Axial slice 109 of 269 of a contrast-enhanced abdominal CT (slice 1 is the lowest), 100 kVp, kernel I30f; 5.00 mm slice thickness and 0.732 mm pixels.
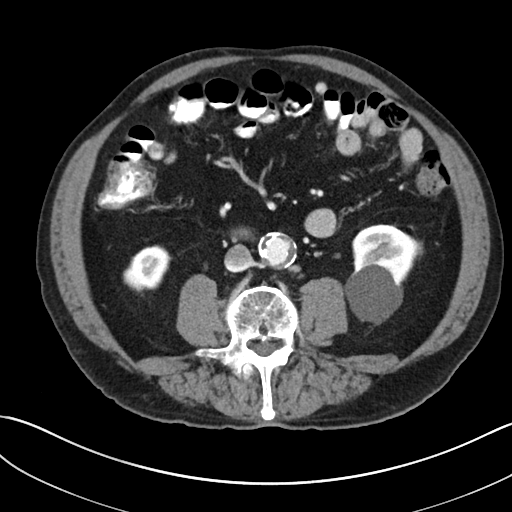
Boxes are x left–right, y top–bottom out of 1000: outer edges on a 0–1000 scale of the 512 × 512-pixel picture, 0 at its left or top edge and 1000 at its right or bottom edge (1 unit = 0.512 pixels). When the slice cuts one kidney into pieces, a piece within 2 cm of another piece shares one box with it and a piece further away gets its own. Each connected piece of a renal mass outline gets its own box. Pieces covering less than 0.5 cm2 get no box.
Boxed on this slice (two kidney boxes), listed by box centre from the image's left to its right: (1) Right kidney at x 240–336, y 479–572 out of 1000 (outlined area 1,608 px, about 8.6 cm2). (2) Left kidney at x 670–828, y 438–635 out of 1000 (outlined area 5,316 px, about 28.5 cm2). No renal mass is outlined on this slice.